One axial slice (51 of 98, counting up from the lowest) of an arterial-phase abdominal CT acquired with 120 kVp, kernel B; each pixel is 0.703 mm and the slice is 5.00 mm thick.
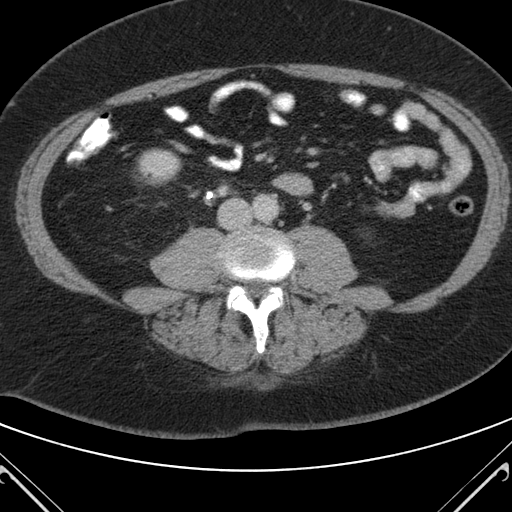
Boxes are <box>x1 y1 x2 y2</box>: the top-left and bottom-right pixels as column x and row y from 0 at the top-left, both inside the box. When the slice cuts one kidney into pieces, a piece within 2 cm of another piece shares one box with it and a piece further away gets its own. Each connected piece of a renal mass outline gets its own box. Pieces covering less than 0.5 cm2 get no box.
Right kidney at <box>134 148 182 187</box> (outlined area 1,439 px, about 7.1 cm2). No renal mass outline on this slice.